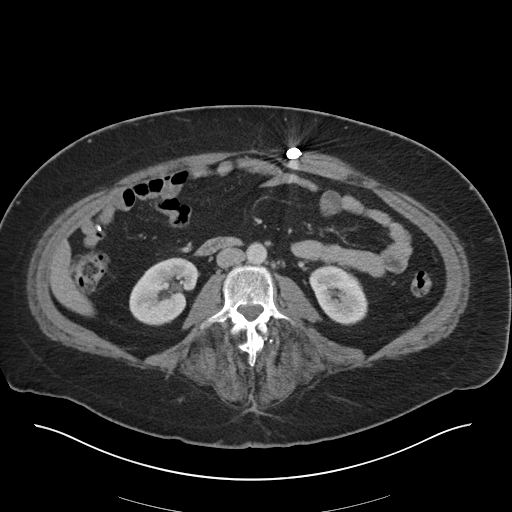
Axial slice 9 of 36 of a contrast-enhanced abdominal CT in the arterial phase (slice 1 is the lowest), 140 kVp, kernel I30f; 5.00 mm slice thickness and 0.906 mm pixels.
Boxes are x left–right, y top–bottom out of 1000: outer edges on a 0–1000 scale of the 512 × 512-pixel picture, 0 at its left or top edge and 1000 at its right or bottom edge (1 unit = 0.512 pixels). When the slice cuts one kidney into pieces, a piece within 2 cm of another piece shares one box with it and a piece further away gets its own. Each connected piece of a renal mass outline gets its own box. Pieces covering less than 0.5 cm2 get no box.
Boxed on this slice (two kidney boxes), listed by box centre from the image's left to its right: (1) Right kidney at x 252–391, y 502–637 out of 1000 (outlined area 3,377 px, about 27.7 cm2). (2) Left kidney at x 604–719, y 516–637 out of 1000 (outlined area 2,564 px, about 21.1 cm2). No renal mass is outlined on this slice.